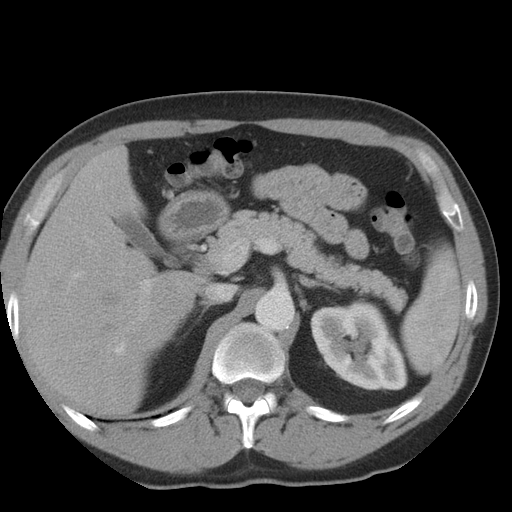
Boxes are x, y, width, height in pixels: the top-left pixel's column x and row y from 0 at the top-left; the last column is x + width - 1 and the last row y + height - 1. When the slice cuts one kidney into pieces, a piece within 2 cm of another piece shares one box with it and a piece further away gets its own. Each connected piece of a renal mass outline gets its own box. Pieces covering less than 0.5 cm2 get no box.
Slice 25/36 of a contrast-enhanced abdominal CT in the arterial phase, counting up from the lowest; pixel size 0.703 mm, slice thickness 5.00 mm. Left kidney at x 310, y 298, width 99, height 94 (outlined area 6,428 px, about 31.8 cm2). This slice carries no renal mass outline.
Scan settings: 140 kVp, STANDARD reconstruction kernel.